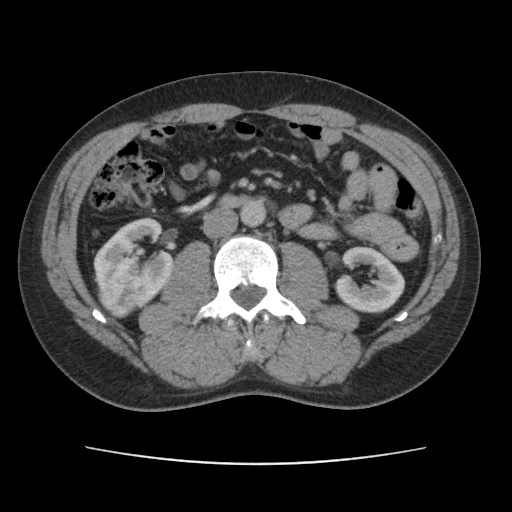
Abdominal CT with intravenous contrast, arterial phase, axial plane, 120 kVp, kernel FC14. Slice 61/101 from the bottom of the scan; thickness 5.00 mm; pixel size 0.755 mm.
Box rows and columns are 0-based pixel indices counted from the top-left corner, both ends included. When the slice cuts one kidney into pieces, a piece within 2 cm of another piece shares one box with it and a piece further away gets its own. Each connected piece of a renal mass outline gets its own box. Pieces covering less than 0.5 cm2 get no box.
Three boxes on this slice (two kidney boxes and one renal mass box), listed by box centre from the image's left to its right. (1) Right renal mass, box rows 273–318, columns 97–144 (outlined area 1,571 px, about 9.0 cm2). (2) Right kidney at rows 217–309, columns 93–173 (outlined area 4,040 px, about 23.0 cm2). (3) Box rows 245–313, columns 333–405: left kidney (outlined area 3,261 px, about 18.6 cm2).